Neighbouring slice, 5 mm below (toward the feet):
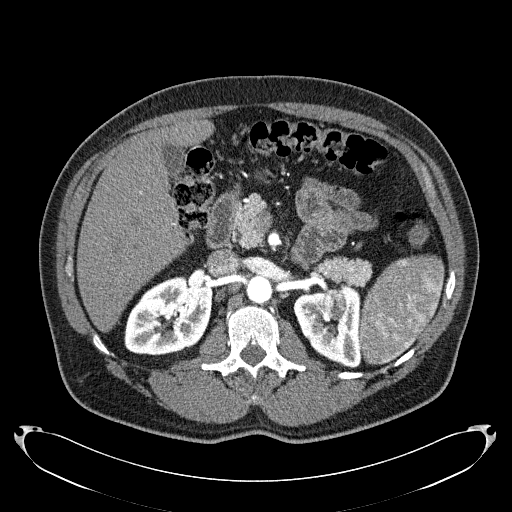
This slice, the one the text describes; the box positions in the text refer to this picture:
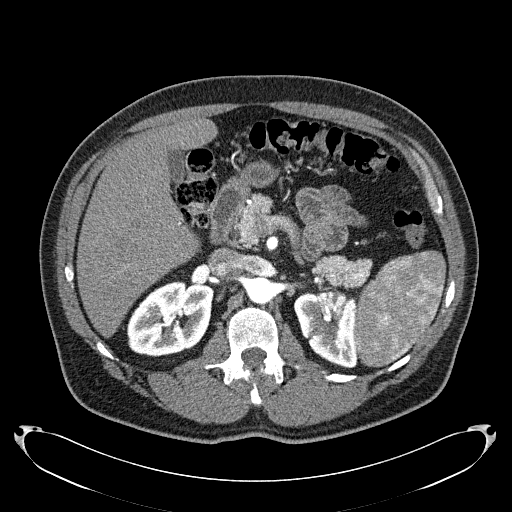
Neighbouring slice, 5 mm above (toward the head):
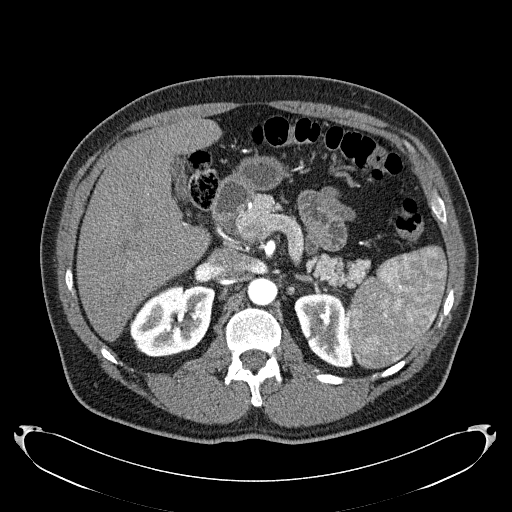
One axial slice (143 of 279, counting up from the lowest) of an arterial-phase abdominal CT acquired with 120 kVp, kernel B31f; each pixel is 0.824 mm and the slice is 2.00 mm thick.
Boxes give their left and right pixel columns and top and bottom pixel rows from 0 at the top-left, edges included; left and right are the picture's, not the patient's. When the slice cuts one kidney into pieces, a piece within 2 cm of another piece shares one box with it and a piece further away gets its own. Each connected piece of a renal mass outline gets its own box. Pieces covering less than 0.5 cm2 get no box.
Boxed on this slice (two kidney boxes and one renal mass box), listed by box centre from the image's left to its right: (1) Right kidney in the box with left 127, top 281, right 213, bottom 356 (outlined area 4,997 px, about 33.9 cm2). (2) Left kidney in the box with left 293, top 290, right 357, bottom 368 (outlined area 3,555 px, about 24.2 cm2). (3) Box with left 331, top 290, right 347, bottom 305: left renal mass (outlined area 193 px, about 1.3 cm2). This slice lies near the end of the left renal mass toward the head; the slices 5 mm below and 5 mm above it are shown too, and the boxes mark positions on this slice only.